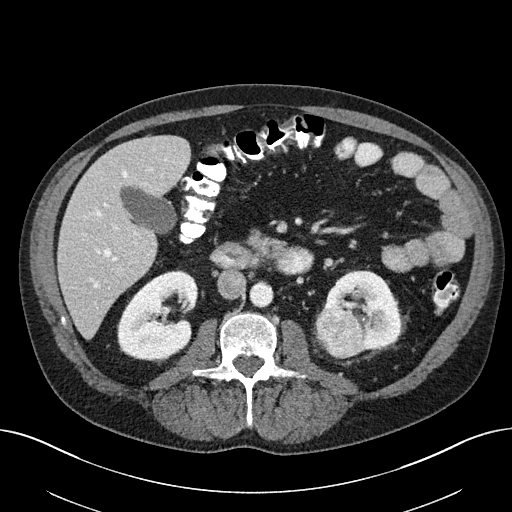
One axial slice (105 of 163, counting up from the lowest) of a contrast-enhanced abdominal CT acquired with 100 kVp, kernel I40f; each pixel is 0.799 mm and the slice is 3.00 mm thick.
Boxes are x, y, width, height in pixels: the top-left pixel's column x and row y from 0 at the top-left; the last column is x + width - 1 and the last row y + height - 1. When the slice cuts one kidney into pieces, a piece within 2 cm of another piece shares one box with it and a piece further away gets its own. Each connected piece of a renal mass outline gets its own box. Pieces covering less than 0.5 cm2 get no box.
Two kidney boxes and one renal mass box on this slice; by box centre, from the image's left to its right: (1) Right kidney at x 117, y 270, width 82, height 92 (outlined area 5,116 px, about 32.6 cm2). (2) Left renal mass, box x 315, y 307, width 49, height 52 (outlined area 1,962 px, about 12.5 cm2). (3) Box x 322, y 270, width 82, height 82: left kidney (outlined area 3,816 px, about 24.4 cm2).